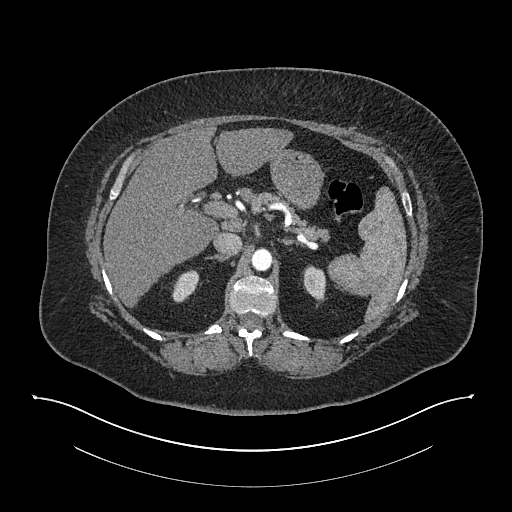
One axial slice (567 of 673, counting up from the lowest) of an arterial-phase abdominal CT acquired with 140 kVp, kernel I30f; each pixel is 0.957 mm and the slice is 1.00 mm thick.
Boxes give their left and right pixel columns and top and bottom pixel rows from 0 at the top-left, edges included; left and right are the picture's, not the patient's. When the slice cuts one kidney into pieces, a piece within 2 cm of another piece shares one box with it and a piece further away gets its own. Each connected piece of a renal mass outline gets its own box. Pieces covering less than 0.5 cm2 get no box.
Two boxes on this slice (two kidney boxes), listed by box centre from the image's left to its right. (1) Right kidney, the box with left 172, top 269, right 199, bottom 302 (outlined area 625 px, about 5.7 cm2). (2) Box with left 302, top 265, right 326, bottom 302: left kidney (outlined area 666 px, about 6.1 cm2). No renal mass is outlined on this slice.